One axial slice (63 of 80, counting up from the lowest) of an arterial-phase abdominal CT acquired with 100 kVp, kernel I40f; each pixel is 0.648 mm and the slice is 5.00 mm thick.
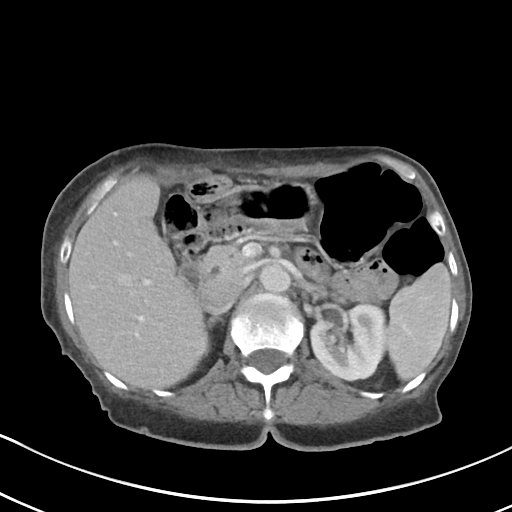
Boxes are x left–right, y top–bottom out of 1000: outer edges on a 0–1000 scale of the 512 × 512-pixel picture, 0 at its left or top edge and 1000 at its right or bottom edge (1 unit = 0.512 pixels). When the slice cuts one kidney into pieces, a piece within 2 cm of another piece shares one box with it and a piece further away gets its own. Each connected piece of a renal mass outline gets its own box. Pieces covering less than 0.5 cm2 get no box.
Left kidney, box x 604–754, y 594–744 out of 1000 (outlined area 4,608 px, about 19.4 cm2). No renal mass is outlined on this slice.